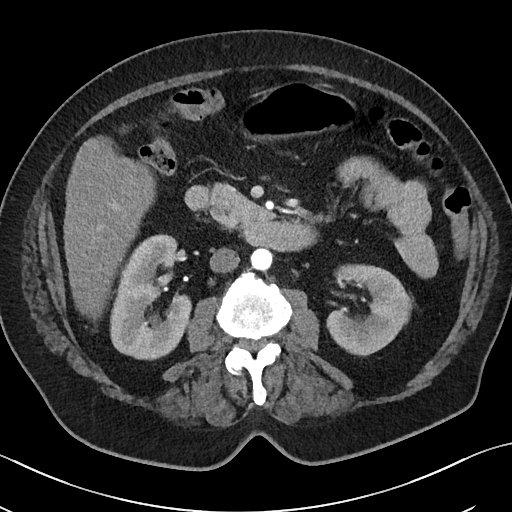
One axial slice (19 of 50, counting up from the lowest) of a contrast-enhanced abdominal CT acquired with 100 kVp, kernel I40f; each pixel is 0.723 mm and the slice is 5.00 mm thick.
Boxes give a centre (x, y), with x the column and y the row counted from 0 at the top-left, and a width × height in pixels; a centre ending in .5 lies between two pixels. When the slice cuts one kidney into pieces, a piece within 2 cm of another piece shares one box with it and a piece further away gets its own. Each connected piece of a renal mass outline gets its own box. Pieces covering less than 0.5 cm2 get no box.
Boxed on this slice (two kidney boxes), listed by box centre from the image's left to its right: (1) Right kidney, box centre (150.5, 297), 82 × 127 pixels (outlined area 6,994 px, about 36.5 cm2). (2) Left kidney, box centre (369, 309.5), 87 × 92 pixels (outlined area 5,223 px, about 27.3 cm2). This slice carries no renal mass outline.